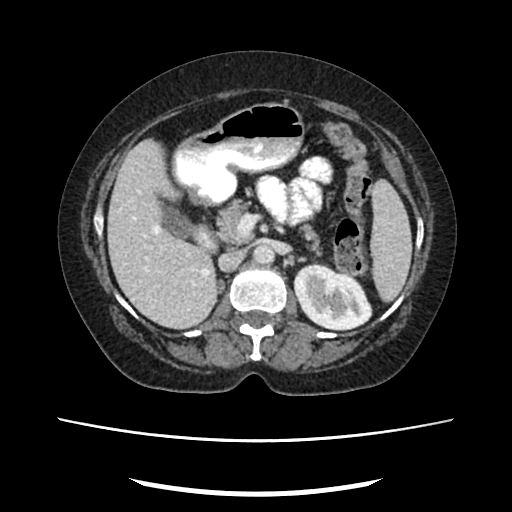
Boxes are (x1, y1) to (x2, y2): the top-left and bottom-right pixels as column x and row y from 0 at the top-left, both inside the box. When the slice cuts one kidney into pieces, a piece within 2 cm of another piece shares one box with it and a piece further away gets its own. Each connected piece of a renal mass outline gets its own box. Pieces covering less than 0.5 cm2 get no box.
Slice 147/207 of a contrast-enhanced abdominal CT in the arterial phase, counting up from the lowest; pixel size 0.741 mm, slice thickness 2.00 mm. Left kidney from (293, 262) to (372, 331) (outlined area 3,889 px, about 21.4 cm2).
Tube voltage 120 kVp; convolution kernel FC18.